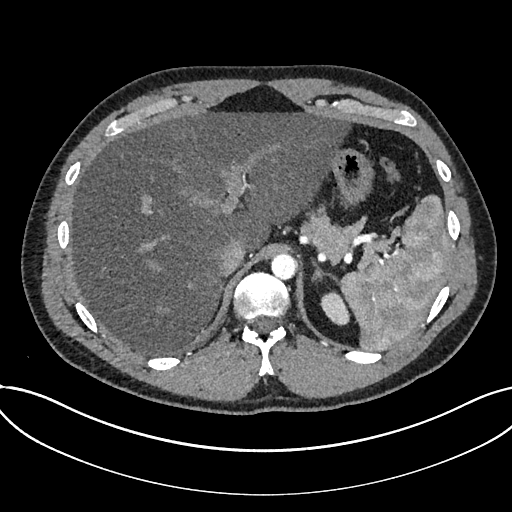
Abdominal CT with intravenous contrast, arterial phase, axial plane, 120 kVp, kernel I30f. Slice 588/735 from the bottom of the scan; thickness 1.00 mm; pixel size 0.789 mm.
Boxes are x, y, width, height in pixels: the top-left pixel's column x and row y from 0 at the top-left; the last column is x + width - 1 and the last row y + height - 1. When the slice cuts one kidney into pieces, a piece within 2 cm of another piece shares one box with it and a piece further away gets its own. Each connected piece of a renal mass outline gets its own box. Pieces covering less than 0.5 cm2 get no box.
Box x 320, y 291, width 30, height 35: kidney (outlined area 698 px, about 4.3 cm2). No renal mass outline on this slice.